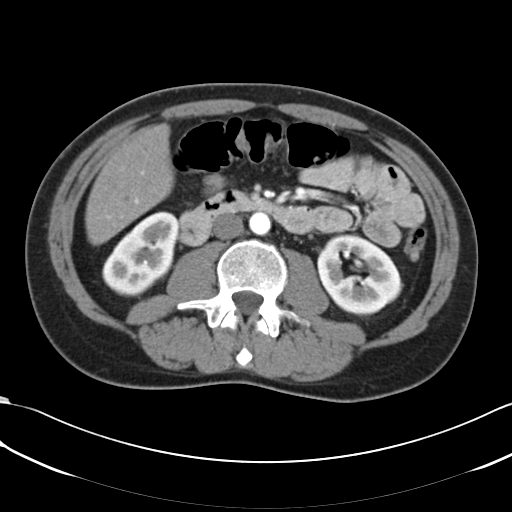
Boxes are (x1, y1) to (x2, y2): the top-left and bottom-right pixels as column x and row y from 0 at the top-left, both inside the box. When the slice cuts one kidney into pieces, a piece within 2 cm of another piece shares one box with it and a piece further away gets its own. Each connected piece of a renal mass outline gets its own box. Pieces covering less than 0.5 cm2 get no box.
Arterial-phase contrast-enhanced abdominal CT, axial slice 33 of 66 (counted from the lowest slice); 5.00 mm thick, 0.678 mm per pixel. Two kidney boxes on this slice; by box centre, from the image's left to its right: (1) Right kidney, box (102, 211) to (178, 296) (outlined area 4,358 px, about 20.0 cm2). (2) Left kidney, box (317, 233) to (401, 315) (outlined area 5,016 px, about 23.0 cm2). This slice carries no renal mass outline.
Acquired at 120 kVp and reconstructed with the B30f kernel.